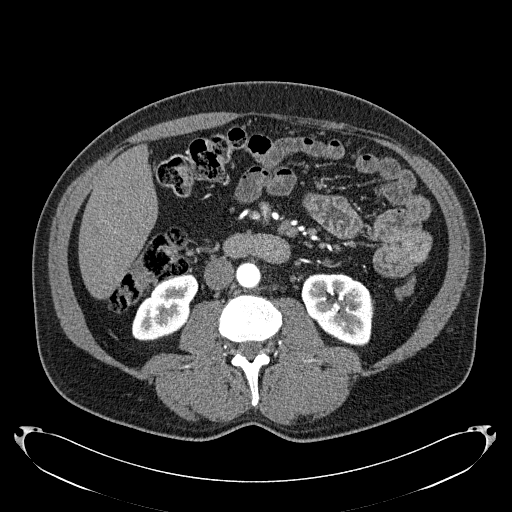
Axial slice 93 of 279 of a contrast-enhanced abdominal CT in the arterial phase (slice 1 is the lowest), 120 kVp, kernel B31f; 2.00 mm slice thickness and 0.824 mm pixels.
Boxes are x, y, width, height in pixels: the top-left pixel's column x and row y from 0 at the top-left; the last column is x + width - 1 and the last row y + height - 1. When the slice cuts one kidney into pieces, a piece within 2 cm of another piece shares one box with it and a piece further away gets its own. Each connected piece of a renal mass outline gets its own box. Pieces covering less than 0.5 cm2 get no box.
Two kidney boxes on this slice; by box centre, from the image's left to its right: (1) Box x 131, y 274, width 68, height 68: right kidney (outlined area 2,950 px, about 20.0 cm2). (2) Left kidney at x 301, y 273, width 72, height 74 (outlined area 4,010 px, about 27.2 cm2). This slice carries no renal mass outline.